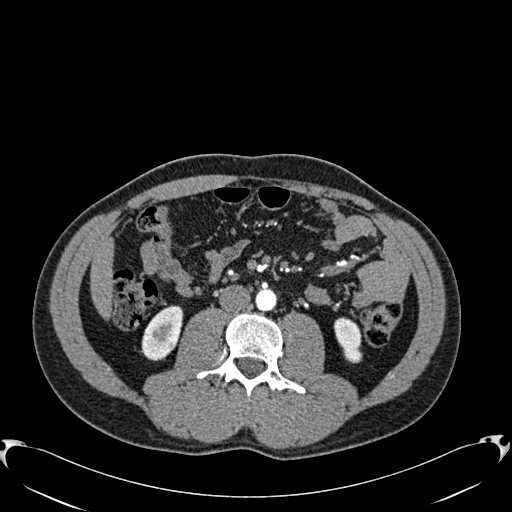
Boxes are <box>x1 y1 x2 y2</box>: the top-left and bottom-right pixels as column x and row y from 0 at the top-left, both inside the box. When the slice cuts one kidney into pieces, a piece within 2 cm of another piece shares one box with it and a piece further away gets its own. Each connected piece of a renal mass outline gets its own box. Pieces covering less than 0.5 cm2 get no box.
This is axial slice 279 of 512 (slice 1 is the lowest) of an arterial-phase abdominal CT with contrast; each pixel is 0.771 mm and the slice is 1.00 mm thick. Two boxes on this slice (two kidney boxes), listed by box centre from the image's left to its right. (1) Right kidney at <box>141 305 183 360</box> (outlined area 1,667 px, about 9.9 cm2). (2) At <box>334 317 362 363</box>: left kidney (outlined area 949 px, about 5.6 cm2). No renal mass is outlined on this slice.
Scan settings: 120 kVp, B30f reconstruction kernel.